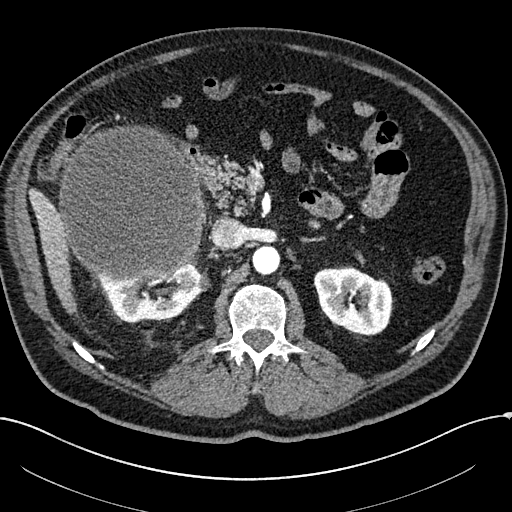
One axial slice (137 of 304, counting up from the lowest) of an arterial-phase abdominal CT acquired with 100 kVp, kernel I30f; each pixel is 0.809 mm and the slice is 2.00 mm thick.
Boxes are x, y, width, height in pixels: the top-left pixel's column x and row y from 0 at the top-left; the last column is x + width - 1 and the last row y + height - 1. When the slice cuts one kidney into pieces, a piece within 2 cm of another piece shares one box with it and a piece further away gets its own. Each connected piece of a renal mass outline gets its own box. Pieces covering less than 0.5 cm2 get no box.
Boxed on this slice (two kidney boxes and one renal mass box), listed by box centre from the image's left to its right: (1) Right renal mass, box x 58, y 125, width 149, height 158 (outlined area 18,625 px, about 121.8 cm2). (2) Box x 96, y 259, width 114, height 64: right kidney (outlined area 3,804 px, about 24.9 cm2). (3) Left kidney, box x 314, y 267, width 80, height 69 (outlined area 4,143 px, about 27.1 cm2).